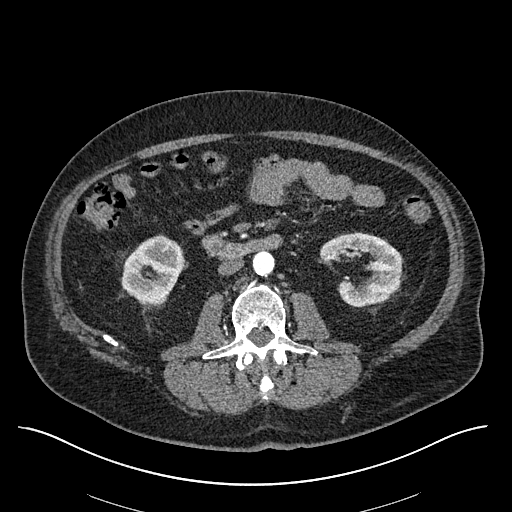
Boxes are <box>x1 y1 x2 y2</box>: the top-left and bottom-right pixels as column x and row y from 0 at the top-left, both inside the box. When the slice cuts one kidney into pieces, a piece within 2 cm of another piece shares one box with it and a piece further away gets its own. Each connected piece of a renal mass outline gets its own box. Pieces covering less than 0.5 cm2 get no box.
Arterial-phase contrast-enhanced abdominal CT, axial slice 284 of 670 (counted from the lowest slice); 1.00 mm thick, 0.861 mm per pixel. Two kidney boxes on this slice; by box centre, from the image's left to its right: (1) At <box>121 234 185 304</box>: right kidney (outlined area 3,279 px, about 24.3 cm2). (2) At <box>319 233 401 306</box>: left kidney (outlined area 3,906 px, about 29.0 cm2). No renal mass outline on this slice.
Scan settings: 120 kVp, I30f reconstruction kernel.